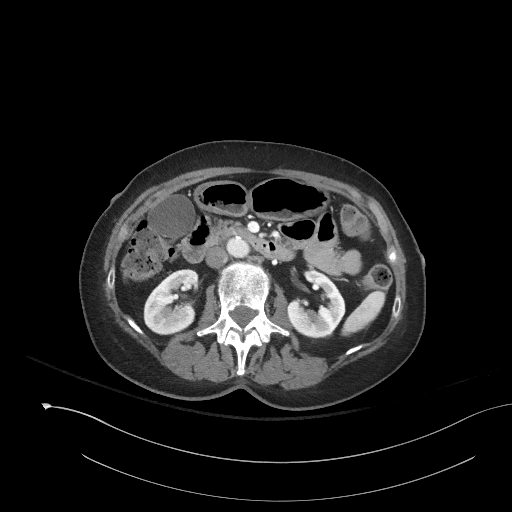
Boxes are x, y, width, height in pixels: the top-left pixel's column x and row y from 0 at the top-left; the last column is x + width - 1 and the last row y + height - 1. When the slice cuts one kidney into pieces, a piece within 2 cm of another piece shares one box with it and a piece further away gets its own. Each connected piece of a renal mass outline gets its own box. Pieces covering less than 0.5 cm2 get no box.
This is axial slice 96 of 153 (slice 1 is the lowest) of an abdominal CT with contrast; each pixel is 0.893 mm and the slice is 3.00 mm thick. Boxed on this slice (two kidney boxes), listed by box centre from the image's left to its right: (1) Right kidney at x 143, y 269, width 56, height 67 (outlined area 2,714 px, about 21.6 cm2). (2) Left kidney at x 288, y 270, width 58, height 68 (outlined area 2,548 px, about 20.3 cm2). This slice carries no renal mass outline.
Scan settings: 120 kVp, I41f reconstruction kernel.